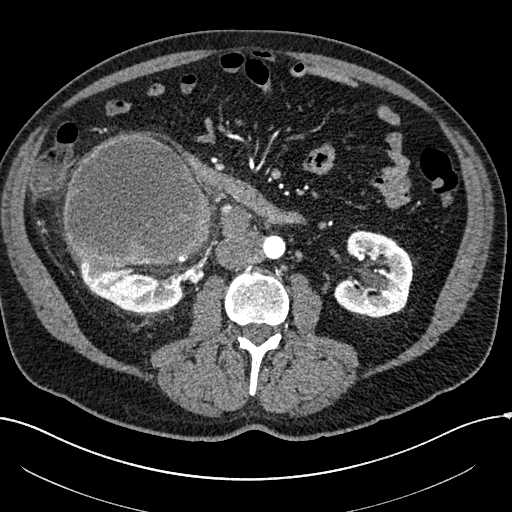
Axial slice 91 of 304 of a contrast-enhanced abdominal CT in the arterial phase (slice 1 is the lowest), 100 kVp, kernel I30f; 2.00 mm slice thickness and 0.809 mm pixels.
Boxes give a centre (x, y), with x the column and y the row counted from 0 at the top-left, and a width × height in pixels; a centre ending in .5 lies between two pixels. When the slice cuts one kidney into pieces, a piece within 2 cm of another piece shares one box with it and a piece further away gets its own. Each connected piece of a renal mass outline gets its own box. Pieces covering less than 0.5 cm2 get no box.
Boxed on this slice (two kidney boxes and one renal mass box), listed by box centre from the image's left to its right: (1) Box centre (127.5, 284), 112 × 57 pixels: right kidney (outlined area 3,914 px, about 25.6 cm2). (2) Right renal mass, box centre (136.5, 200), 150 × 137 pixels (outlined area 15,924 px, about 104.1 cm2). (3) Left kidney in a box with centre (373, 273.5), 81 × 88 pixels (outlined area 4,950 px, about 32.4 cm2).